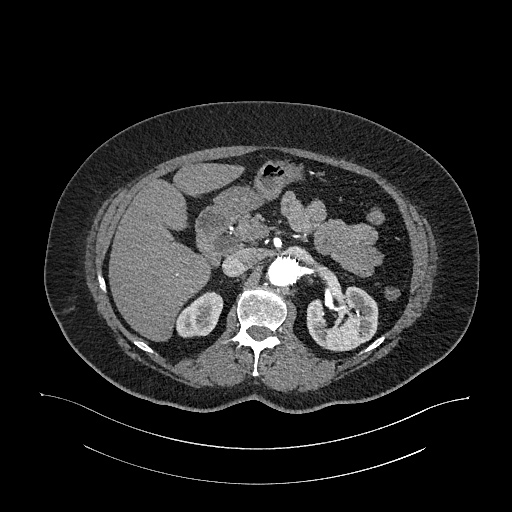
One axial slice (712 of 987, counting up from the lowest) of an arterial-phase abdominal CT acquired with 120 kVp, kernel I26f; each pixel is 0.977 mm and the slice is 1.00 mm thick.
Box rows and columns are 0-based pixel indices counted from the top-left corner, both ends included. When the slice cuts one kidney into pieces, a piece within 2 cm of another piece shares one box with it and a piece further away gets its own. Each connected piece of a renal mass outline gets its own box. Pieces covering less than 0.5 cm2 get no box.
Boxed on this slice (two kidney boxes), listed by box centre from the image's left to its right: (1) Box rows 291–337, columns 175–223: right kidney (outlined area 1,571 px, about 15.0 cm2). (2) Left kidney, box rows 286–351, columns 306–378 (outlined area 3,590 px, about 34.2 cm2). No renal mass outline on this slice.